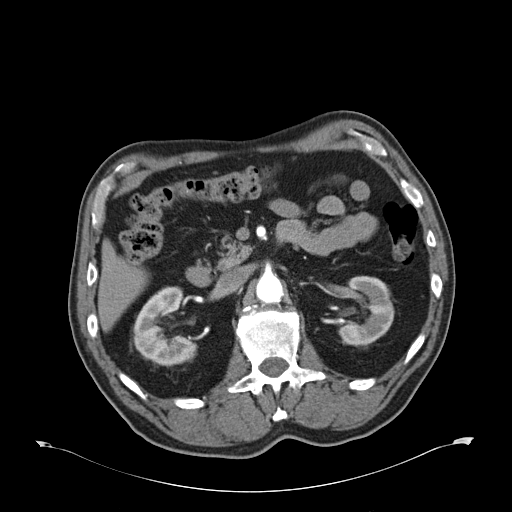
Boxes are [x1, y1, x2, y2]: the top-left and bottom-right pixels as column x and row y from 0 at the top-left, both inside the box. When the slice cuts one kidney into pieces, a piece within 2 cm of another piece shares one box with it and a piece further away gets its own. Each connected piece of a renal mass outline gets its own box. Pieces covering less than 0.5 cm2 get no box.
Slice 34/59 of a contrast-enhanced abdominal CT in the arterial phase, counting up from the lowest; pixel size 0.871 mm, slice thickness 5.00 mm. Two boxes on this slice (two kidney boxes), listed by box centre from the image's left to its right. (1) Box [132, 286, 197, 366]: right kidney (outlined area 3,274 px, about 24.8 cm2). (2) Left kidney at [338, 275, 394, 346] (outlined area 2,807 px, about 21.3 cm2). This slice carries no renal mass outline.
Tube voltage 120 kVp; convolution kernel B30f.